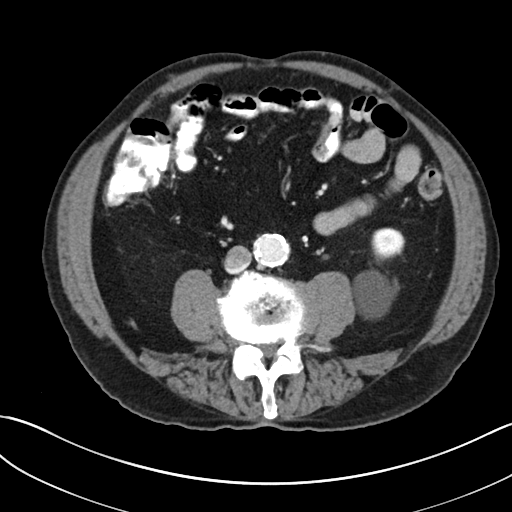
Abdominal CT with intravenous contrast, axial plane, 100 kVp, kernel I30f. Slice 103/269 from the bottom of the scan; thickness 5.00 mm; pixel size 0.732 mm.
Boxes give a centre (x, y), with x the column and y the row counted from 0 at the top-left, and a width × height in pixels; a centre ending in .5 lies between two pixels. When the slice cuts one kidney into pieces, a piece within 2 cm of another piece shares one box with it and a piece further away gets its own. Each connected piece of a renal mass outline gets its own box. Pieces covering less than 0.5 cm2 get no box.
Left kidney in a box with centre (378.5, 272.5), 54 × 92 pixels (outlined area 2,576 px, about 13.8 cm2). No renal mass outline on this slice.